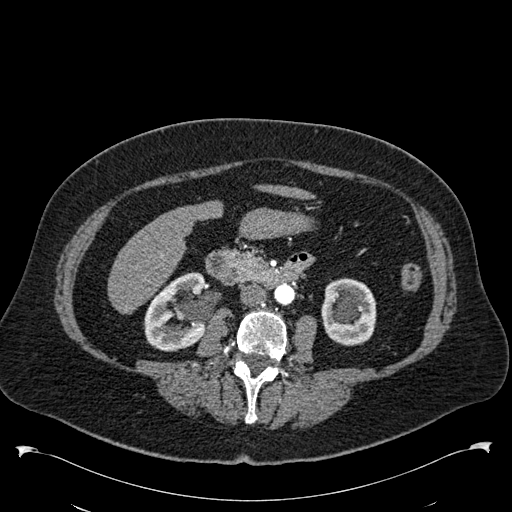
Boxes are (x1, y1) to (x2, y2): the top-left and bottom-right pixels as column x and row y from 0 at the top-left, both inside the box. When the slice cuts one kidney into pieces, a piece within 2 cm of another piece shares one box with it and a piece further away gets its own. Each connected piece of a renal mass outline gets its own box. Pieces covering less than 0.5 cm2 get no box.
Arterial-phase contrast-enhanced abdominal CT, axial slice 282 of 538 (counted from the lowest slice); 1.00 mm thick, 0.811 mm per pixel. Boxed on this slice (two kidney boxes), listed by box centre from the image's left to its right: (1) Right kidney from (143, 272) to (205, 351) (outlined area 3,673 px, about 24.1 cm2). (2) Left kidney from (320, 278) to (376, 345) (outlined area 3,105 px, about 20.4 cm2). This slice carries no renal mass outline.
Acquired at 120 kVp and reconstructed with the B30f kernel.